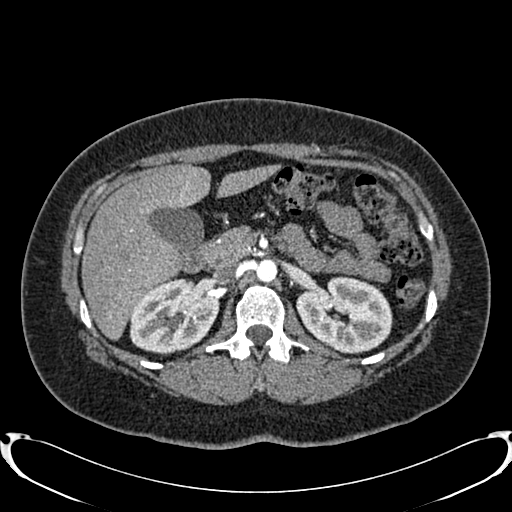
Abdominal CT with intravenous contrast, arterial phase, axial plane, 120 kVp, kernel B20f. Slice 510/719 from the bottom of the scan; thickness 1.00 mm; pixel size 0.766 mm.
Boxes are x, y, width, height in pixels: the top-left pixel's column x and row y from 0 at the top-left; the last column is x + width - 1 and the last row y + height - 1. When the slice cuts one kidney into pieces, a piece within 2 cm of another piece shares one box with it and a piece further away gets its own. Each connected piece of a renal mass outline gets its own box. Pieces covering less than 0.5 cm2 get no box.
Boxed on this slice (two kidney boxes), listed by box centre from the image's left to its right: (1) Right kidney, box x 129, y 277, width 90, height 78 (outlined area 5,161 px, about 30.3 cm2). (2) Left kidney, box x 296, y 276, width 97, height 78 (outlined area 5,528 px, about 32.4 cm2). No renal mass is outlined on this slice.